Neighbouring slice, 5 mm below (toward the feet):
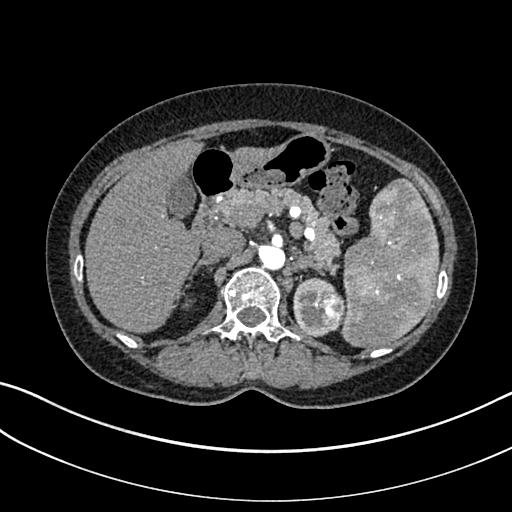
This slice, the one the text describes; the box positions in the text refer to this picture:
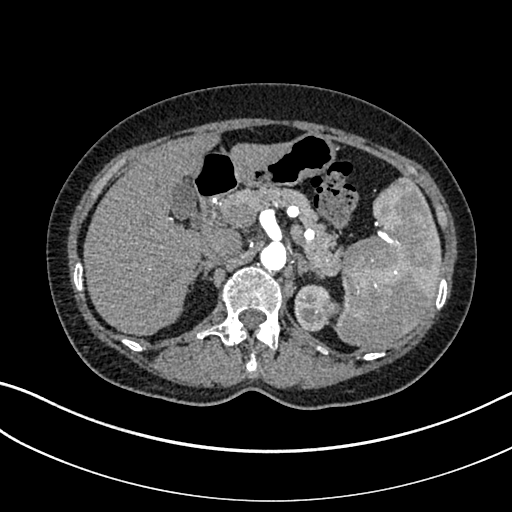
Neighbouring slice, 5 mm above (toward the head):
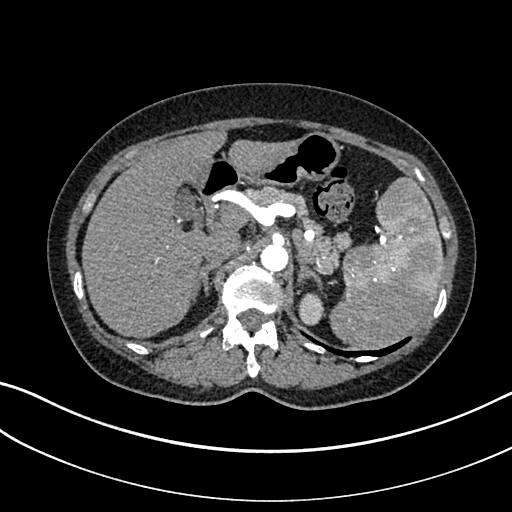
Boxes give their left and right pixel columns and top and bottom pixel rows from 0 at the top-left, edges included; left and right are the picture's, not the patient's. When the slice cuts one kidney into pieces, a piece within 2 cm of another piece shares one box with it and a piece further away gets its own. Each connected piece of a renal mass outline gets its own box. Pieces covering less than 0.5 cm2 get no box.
Arterial-phase contrast-enhanced abdominal CT, axial slice 240 of 325 (counted from the lowest slice); 1.00 mm thick, 0.703 mm per pixel. Two boxes on this slice (one kidney box and one renal mass box), listed by box centre from the image's left to its right. (1) Box with left 294, top 284, right 330, bottom 331: left kidney (outlined area 1,322 px, about 6.5 cm2). (2) Left renal mass, the box with left 323, top 297, right 342, bottom 318 (outlined area 283 px, about 1.4 cm2). This slice is near the end of the left renal mass toward the head, so the slices 5 mm below and 5 mm above it are shown as well; the boxes refer to this slice only.
Acquired at 100 kVp and reconstructed with the I30f kernel.